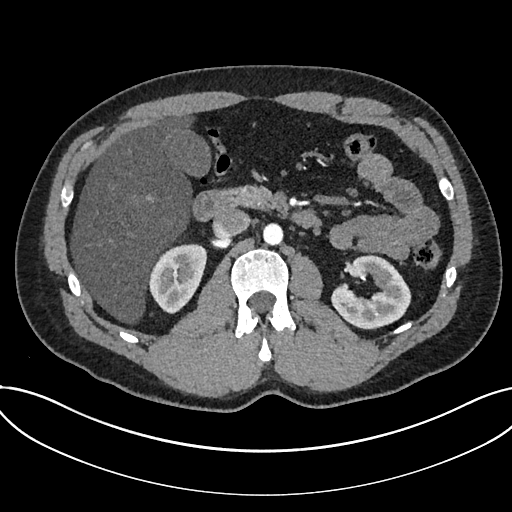
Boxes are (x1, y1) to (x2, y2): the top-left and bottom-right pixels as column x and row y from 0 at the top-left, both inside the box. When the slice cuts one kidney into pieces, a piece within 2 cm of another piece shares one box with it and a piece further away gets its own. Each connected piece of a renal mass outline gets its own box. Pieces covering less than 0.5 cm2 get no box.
Slice 436/735 of a contrast-enhanced abdominal CT in the arterial phase, counting up from the lowest; pixel size 0.789 mm, slice thickness 1.00 mm. Two boxes on this slice (two kidney boxes), listed by box centre from the image's left to its right. (1) Box (148, 243) to (207, 313): kidney (outlined area 2,957 px, about 18.4 cm2). (2) Kidney from (331, 254) to (410, 329) (outlined area 3,934 px, about 24.5 cm2). No renal mass outline on this slice.
Acquired at 120 kVp and reconstructed with the I30f kernel.